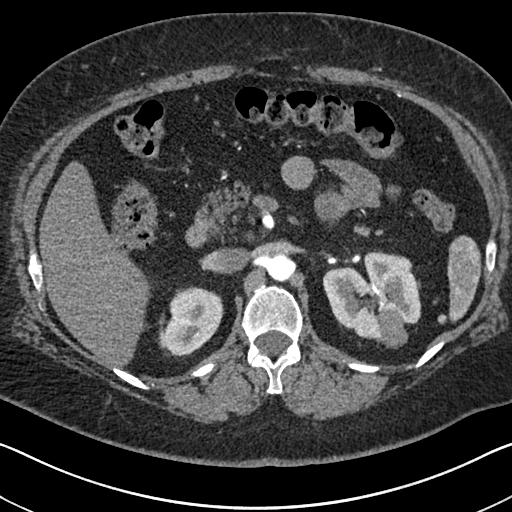
Abdominal CT with intravenous contrast, arterial phase, axial plane, 140 kVp, kernel I30f. Slice 448/591 from the bottom of the scan; thickness 1.00 mm; pixel size 0.703 mm.
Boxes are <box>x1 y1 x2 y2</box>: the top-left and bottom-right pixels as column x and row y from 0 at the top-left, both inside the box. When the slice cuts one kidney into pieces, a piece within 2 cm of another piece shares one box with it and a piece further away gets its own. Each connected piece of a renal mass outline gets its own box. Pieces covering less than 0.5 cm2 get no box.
Three boxes on this slice (two kidney boxes and one renal mass box), listed by box centre from the image's left to its right. (1) Right kidney: <box>158 286 223 356</box> (outlined area 3,344 px, about 16.5 cm2). (2) At <box>322 250 421 342</box>: left kidney (outlined area 5,893 px, about 29.1 cm2). (3) Left renal mass: <box>377 308 407 348</box> (outlined area 934 px, about 4.6 cm2).